One axial slice (234 of 538, counting up from the lowest) of an arterial-phase abdominal CT acquired with 120 kVp, kernel B30f; each pixel is 0.811 mm and the slice is 1.00 mm thick.
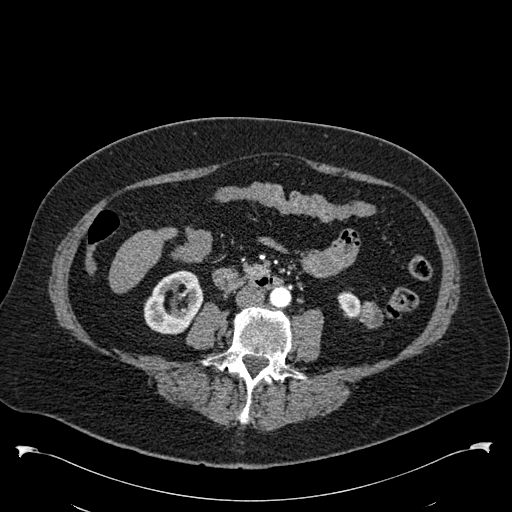
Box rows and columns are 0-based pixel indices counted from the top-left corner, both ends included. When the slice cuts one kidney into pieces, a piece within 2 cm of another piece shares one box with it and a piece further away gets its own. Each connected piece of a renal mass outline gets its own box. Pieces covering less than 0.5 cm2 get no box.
Three boxes on this slice (two kidney boxes and one renal mass box), listed by box centre from the image's left to its right. (1) Box rows 270–334, columns 143–203: right kidney (outlined area 2,646 px, about 17.4 cm2). (2) Left kidney, box rows 291–318, columns 337–361 (outlined area 504 px, about 3.3 cm2). (3) Box rows 301–328, columns 359–383: left renal mass (outlined area 492 px, about 3.2 cm2).